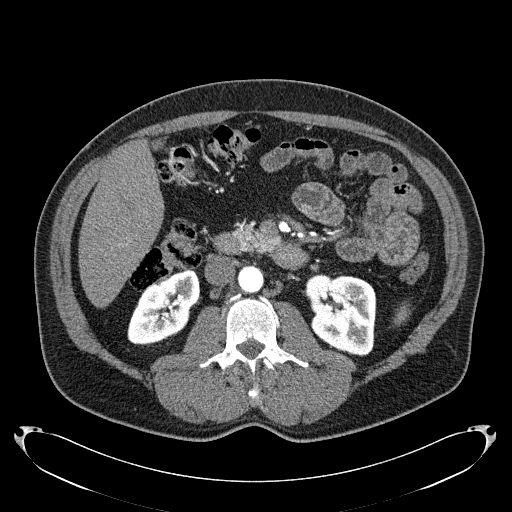
Abdominal CT with intravenous contrast, arterial phase, axial plane, 120 kVp, kernel B31f. Slice 107/279 from the bottom of the scan; thickness 2.00 mm; pixel size 0.824 mm.
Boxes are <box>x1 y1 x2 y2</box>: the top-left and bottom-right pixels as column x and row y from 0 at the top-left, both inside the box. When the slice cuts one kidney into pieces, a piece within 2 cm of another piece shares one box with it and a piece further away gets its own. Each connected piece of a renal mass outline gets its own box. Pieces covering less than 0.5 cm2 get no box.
Two kidney boxes on this slice; by box centre, from the image's left to its right: (1) Right kidney at <box>127 267 200 344</box> (outlined area 3,687 px, about 25.0 cm2). (2) At <box>303 274 376 356</box>: left kidney (outlined area 4,704 px, about 32.0 cm2). No renal mass outline on this slice.